Axial slice 82 of 96 of a contrast-enhanced abdominal CT in the arterial phase (slice 1 is the lowest), 120 kVp, kernel STANDARD; 2.50 mm slice thickness and 0.689 mm pixels.
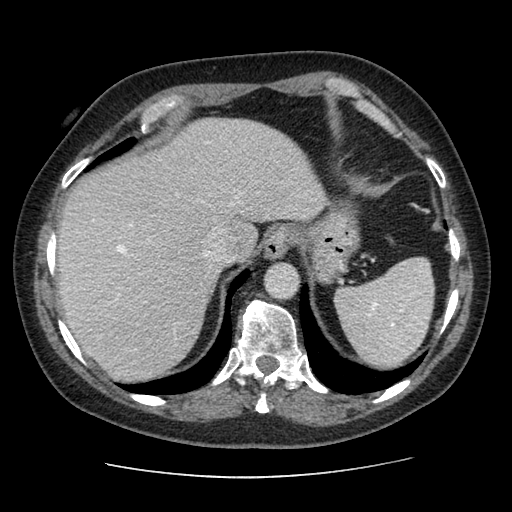
Outside the outlined region: no kidney outline and no renal mass outline on this slice. The scan's outlines cover only kidneys and renal masses; no other organ is outlined.